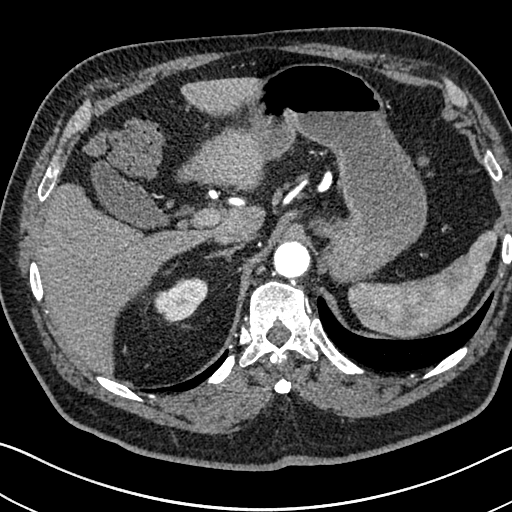
One axial slice (551 of 705, counting up from the lowest) of an arterial-phase abdominal CT acquired with 120 kVp, kernel I30f; each pixel is 0.703 mm and the slice is 1.00 mm thick.
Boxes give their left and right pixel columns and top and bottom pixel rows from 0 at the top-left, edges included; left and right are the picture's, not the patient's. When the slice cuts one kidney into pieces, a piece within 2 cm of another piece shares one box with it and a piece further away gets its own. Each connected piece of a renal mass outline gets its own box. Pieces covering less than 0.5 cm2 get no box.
Right kidney, the box with left 154, top 277, right 208, bottom 324 (outlined area 1,700 px, about 8.4 cm2). No renal mass is outlined on this slice.